Axial slice 372 of 705 of a contrast-enhanced abdominal CT in the arterial phase (slice 1 is the lowest), 120 kVp, kernel I30f; 1.00 mm slice thickness and 0.703 mm pixels.
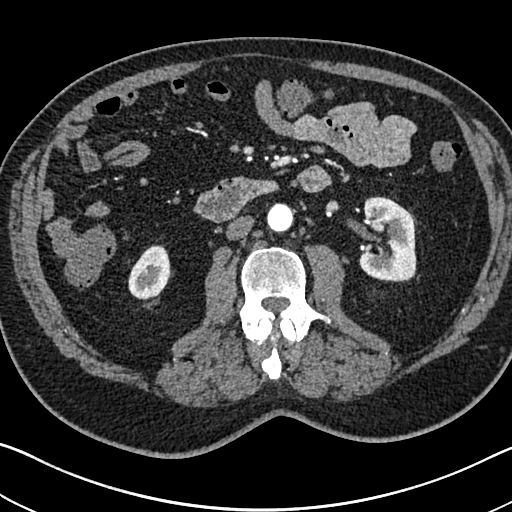
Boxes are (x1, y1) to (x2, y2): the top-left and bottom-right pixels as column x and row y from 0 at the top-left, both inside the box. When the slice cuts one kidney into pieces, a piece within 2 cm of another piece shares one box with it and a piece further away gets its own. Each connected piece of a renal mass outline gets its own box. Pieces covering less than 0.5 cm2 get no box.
Two boxes on this slice (two kidney boxes), listed by box centre from the image's left to its right. (1) Right kidney from (128, 245) to (170, 300) (outlined area 1,740 px, about 8.6 cm2). (2) Left kidney, box (359, 196) to (416, 281) (outlined area 4,002 px, about 19.8 cm2). This slice carries no renal mass outline.